Abdominal CT with intravenous contrast, arterial phase, axial plane, 140 kVp, kernel I30f. Slice 365/591 from the bottom of the scan; thickness 1.00 mm; pixel size 0.703 mm.
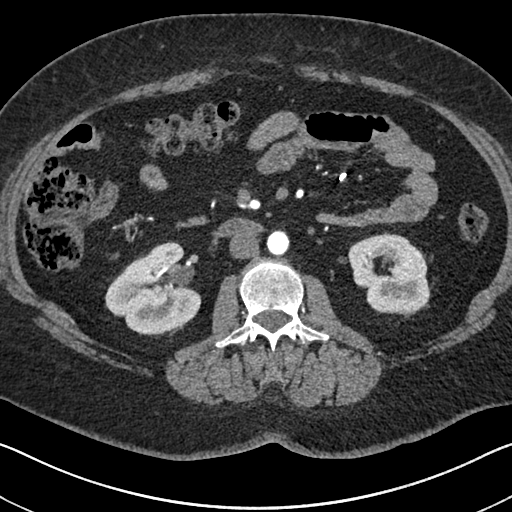
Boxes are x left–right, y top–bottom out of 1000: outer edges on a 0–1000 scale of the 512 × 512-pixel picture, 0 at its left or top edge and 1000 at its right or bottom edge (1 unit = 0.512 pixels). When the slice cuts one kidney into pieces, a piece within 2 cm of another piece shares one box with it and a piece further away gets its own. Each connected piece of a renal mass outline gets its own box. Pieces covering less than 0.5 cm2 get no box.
Two kidney boxes on this slice; by box centre, from the image's left to its right: (1) Right kidney at x 205–395, y 471–656 out of 1000 (outlined area 6,222 px, about 30.8 cm2). (2) Box x 680–842, y 453–613 out of 1000: left kidney (outlined area 4,999 px, about 24.7 cm2). No renal mass is outlined on this slice.